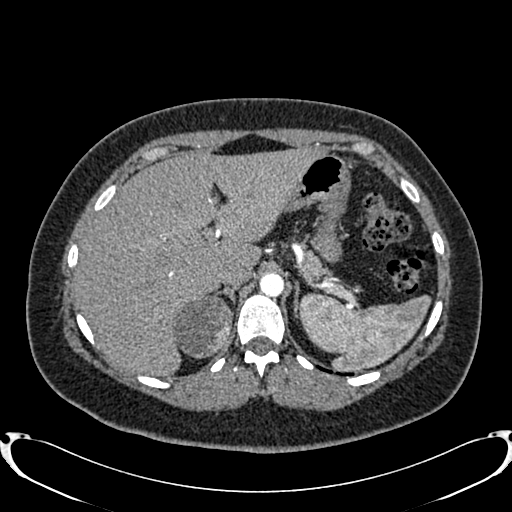
Axial slice 612 of 719 of a contrast-enhanced abdominal CT in the arterial phase (slice 1 is the lowest), 120 kVp, kernel B20f; 1.00 mm slice thickness and 0.766 mm pixels.
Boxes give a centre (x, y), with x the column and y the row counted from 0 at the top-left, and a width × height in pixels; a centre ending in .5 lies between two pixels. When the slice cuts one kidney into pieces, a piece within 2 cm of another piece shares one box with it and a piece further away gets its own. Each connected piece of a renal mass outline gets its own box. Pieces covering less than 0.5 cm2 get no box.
Right renal mass in a box with centre (201.5, 326), 62 × 65 pixels (outlined area 2,982 px, about 17.5 cm2); no kidney outline appears on this slice, but the same outlined renal mass comes within 1 cm of the kidney on another slice.